Axial slice 64 of 88 of a contrast-enhanced abdominal CT in the arterial phase (slice 1 is the lowest), 120 kVp, kernel B30f; 5.00 mm slice thickness and 0.691 mm pixels.
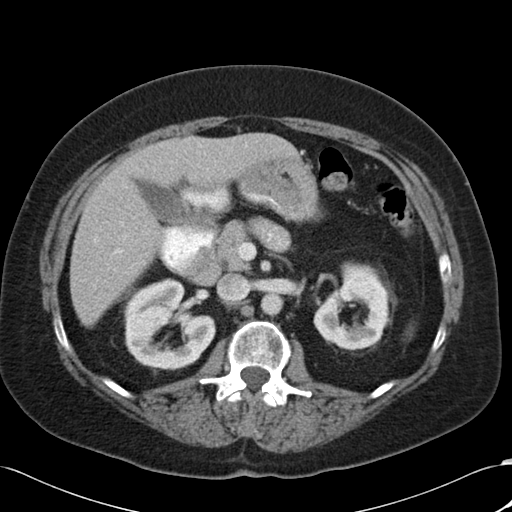
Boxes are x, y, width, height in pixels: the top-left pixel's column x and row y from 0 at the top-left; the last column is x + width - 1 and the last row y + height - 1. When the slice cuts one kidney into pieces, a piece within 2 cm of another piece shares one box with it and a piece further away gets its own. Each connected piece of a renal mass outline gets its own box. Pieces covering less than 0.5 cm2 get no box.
Two kidney boxes on this slice; by box centre, from the image's left to its right: (1) Right kidney at x 124, y 278, width 92, height 92 (outlined area 5,926 px, about 28.3 cm2). (2) Box x 313, y 261, width 77, height 90: left kidney (outlined area 4,493 px, about 21.5 cm2). No renal mass is outlined on this slice.